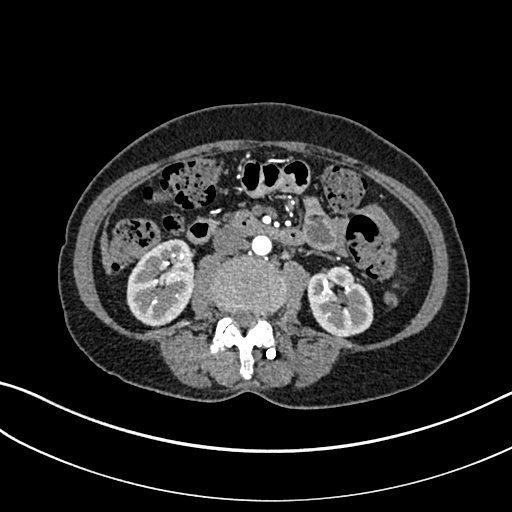
Arterial-phase contrast-enhanced abdominal CT, axial slice 123 of 325 (counted from the lowest slice); tube voltage 100 kVp, convolution kernel I30f; slices 1.00 mm thick, 0.703 mm per pixel.
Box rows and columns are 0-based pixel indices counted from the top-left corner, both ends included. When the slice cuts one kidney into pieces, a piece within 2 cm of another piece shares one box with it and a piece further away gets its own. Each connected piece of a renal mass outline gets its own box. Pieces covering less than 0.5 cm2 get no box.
Two kidney boxes on this slice; by box centre, from the image's left to its right: (1) Right kidney at rows 238–326, columns 126–194 (outlined area 4,597 px, about 22.7 cm2). (2) Box rows 266–336, columns 306–373: left kidney (outlined area 3,544 px, about 17.5 cm2). No renal mass outline on this slice.